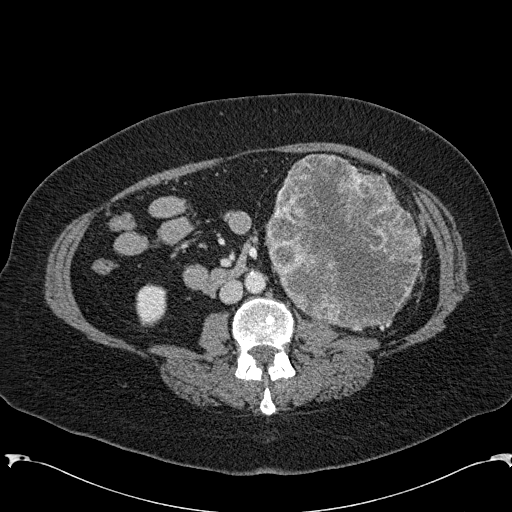
Abdominal CT with intravenous contrast, arterial phase, axial plane, 120 kVp, kernel B31f. Slice 94/285 from the bottom of the scan; thickness 2.00 mm; pixel size 0.762 mm.
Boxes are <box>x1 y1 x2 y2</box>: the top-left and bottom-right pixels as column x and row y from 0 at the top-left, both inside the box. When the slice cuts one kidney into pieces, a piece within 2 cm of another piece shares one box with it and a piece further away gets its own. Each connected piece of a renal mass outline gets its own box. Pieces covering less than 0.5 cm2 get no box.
Two boxes on this slice (one kidney box and one renal mass box), listed by box centre from the image's left to its right. (1) Right kidney: <box>135 283 166 326</box> (outlined area 1,080 px, about 6.3 cm2). (2) Left renal mass: <box>264 154 421 331</box> (outlined area 20,732 px, about 120.3 cm2); on this slice it lies more than 1 cm from any kidney outline, but the same outlined renal mass comes within 1 cm of the kidney on another slice.